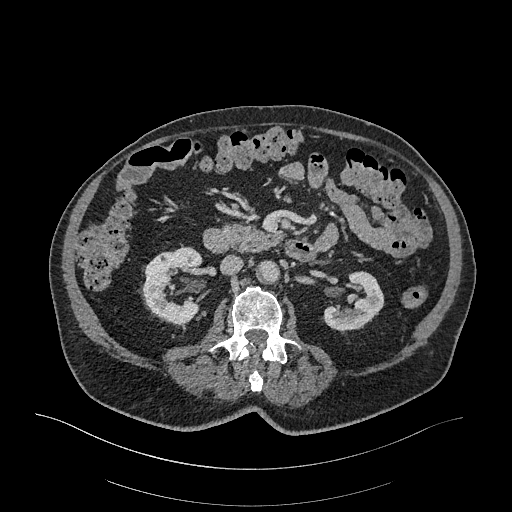
Arterial-phase contrast-enhanced abdominal CT, axial slice 155 of 470 (counted from the lowest slice); tube voltage 120 kVp, convolution kernel I26f; slices 1.00 mm thick, 0.938 mm per pixel.
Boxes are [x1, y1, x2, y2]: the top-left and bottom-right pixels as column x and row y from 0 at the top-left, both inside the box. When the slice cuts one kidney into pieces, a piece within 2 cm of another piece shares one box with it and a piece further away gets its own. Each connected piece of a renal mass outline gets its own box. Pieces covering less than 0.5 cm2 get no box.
Boxed on this slice (two kidney boxes), listed by box centre from the image's left to its right: (1) Right kidney, box [139, 246, 201, 325] (outlined area 3,482 px, about 30.6 cm2). (2) Left kidney, box [323, 271, 384, 331] (outlined area 2,313 px, about 20.3 cm2). No renal mass is outlined on this slice.